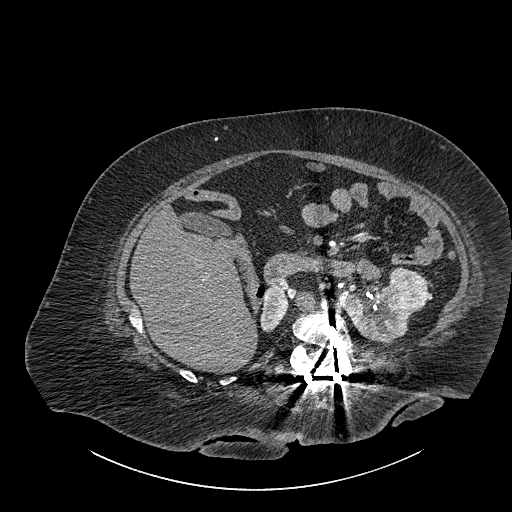
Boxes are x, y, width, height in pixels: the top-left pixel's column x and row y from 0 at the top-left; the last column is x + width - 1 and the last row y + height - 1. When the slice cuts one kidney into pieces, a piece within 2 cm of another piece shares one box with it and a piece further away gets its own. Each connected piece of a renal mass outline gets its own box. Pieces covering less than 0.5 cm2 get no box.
This is axial slice 544 of 834 (slice 1 is the lowest) of an abdominal CT with contrast; each pixel is 0.977 mm and the slice is 1.00 mm thick. Boxed on this slice (two kidney boxes and one renal mass box), listed by box centre from the image's left to its right: (1) Right part of the midline-crossing kidney at x 260, y 285, width 29, height 48 (outlined area 962 px, about 9.2 cm2). (2) Left part of the midline-crossing kidney at x 340, y 285, width 74, height 59 (outlined area 2,624 px, about 25.0 cm2). (3) Renal mass at x 389, y 267, width 39, height 44 (outlined area 1,327 px, about 12.7 cm2).
Acquired at 140 kVp and reconstructed with the I30f kernel.